Axial slice 227 of 325 of a contrast-enhanced abdominal CT in the arterial phase (slice 1 is the lowest), 100 kVp, kernel I30f; 1.00 mm slice thickness and 0.703 mm pixels.
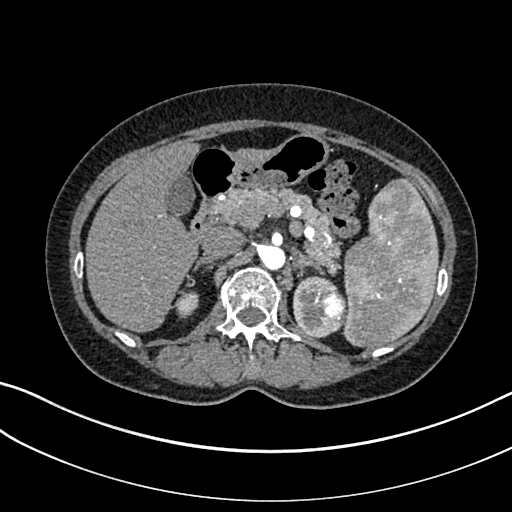
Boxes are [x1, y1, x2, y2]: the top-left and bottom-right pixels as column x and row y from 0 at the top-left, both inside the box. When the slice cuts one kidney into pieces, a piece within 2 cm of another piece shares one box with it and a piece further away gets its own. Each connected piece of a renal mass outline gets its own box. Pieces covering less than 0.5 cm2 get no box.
Two kidney boxes and one renal mass box on this slice; by box centre, from the image's left to its right: (1) Box [174, 291, 198, 318]: right kidney (outlined area 492 px, about 2.4 cm2). (2) Left kidney at [293, 276, 337, 339] (outlined area 1,470 px, about 7.3 cm2). (3) Box [312, 289, 346, 332]: left renal mass (outlined area 1,155 px, about 5.7 cm2).